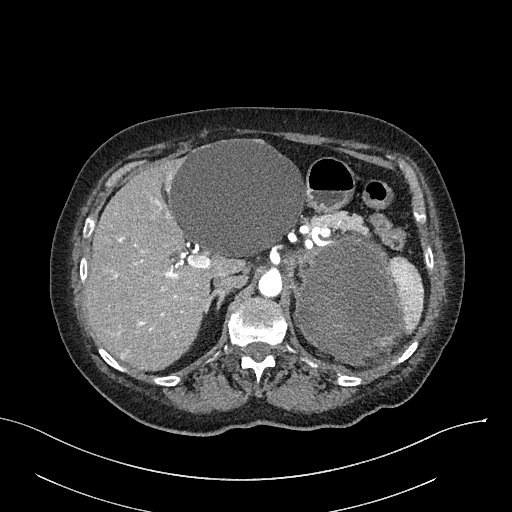
One axial slice (190 of 316, counting up from the lowest) of an arterial-phase abdominal CT acquired with 100 kVp, kernel I40f; each pixel is 0.840 mm and the slice is 2.00 mm thick.
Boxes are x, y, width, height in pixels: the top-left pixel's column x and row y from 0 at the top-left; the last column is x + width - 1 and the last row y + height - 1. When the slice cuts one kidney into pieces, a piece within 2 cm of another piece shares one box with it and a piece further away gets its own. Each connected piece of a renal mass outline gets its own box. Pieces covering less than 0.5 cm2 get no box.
Box x 295, y 234, width 110, height 130: left renal mass (outlined area 10,957 px, about 77.3 cm2); no kidney is outlined on this slice, but the same outlined renal mass comes within 1 cm of the kidney on another slice.